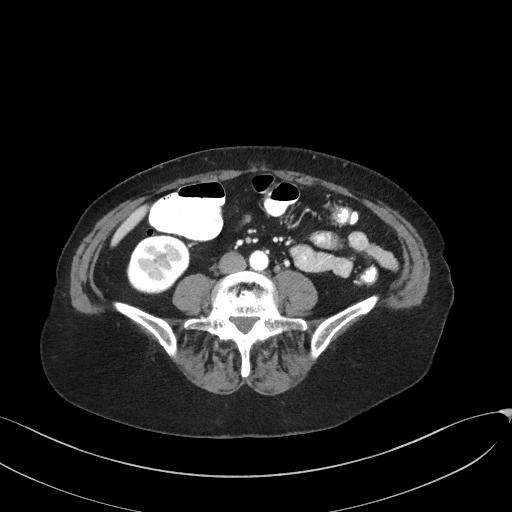
Arterial-phase contrast-enhanced abdominal CT, axial slice 69 of 129 (counted from the lowest slice); tube voltage 100 kVp, convolution kernel I41f; slices 3.00 mm thick, 0.779 mm per pixel.
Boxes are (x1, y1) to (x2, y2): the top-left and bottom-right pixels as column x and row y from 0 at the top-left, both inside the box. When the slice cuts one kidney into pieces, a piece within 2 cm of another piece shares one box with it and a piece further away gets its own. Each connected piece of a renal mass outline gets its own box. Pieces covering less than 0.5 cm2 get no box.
Right kidney, box (126, 234) to (190, 294) (outlined area 2,963 px, about 18.0 cm2). This slice carries no renal mass outline.